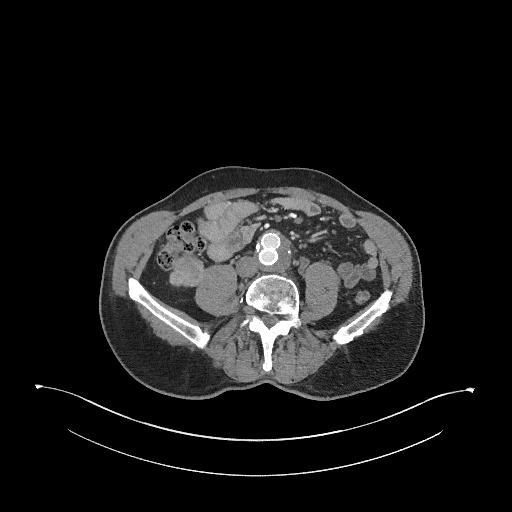
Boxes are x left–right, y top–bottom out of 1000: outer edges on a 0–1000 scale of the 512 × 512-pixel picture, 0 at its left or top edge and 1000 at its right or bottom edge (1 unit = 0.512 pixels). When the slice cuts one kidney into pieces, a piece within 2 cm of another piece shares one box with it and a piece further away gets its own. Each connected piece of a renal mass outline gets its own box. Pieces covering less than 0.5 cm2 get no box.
This is axial slice 116 of 345 (slice 1 is the lowest) of an arterial-phase abdominal CT with contrast; each pixel is 0.977 mm and the slice is 2.00 mm thick. Right renal mass, box x 330–400, y 496–559 out of 1000 (outlined area 931 px, about 8.9 cm2).
Tube voltage 120 kVp; convolution kernel I31f.